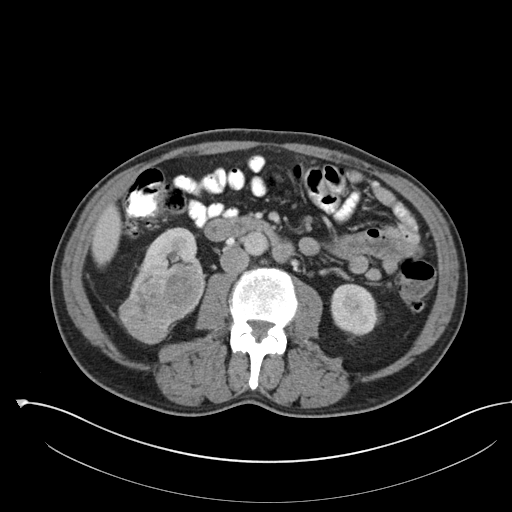
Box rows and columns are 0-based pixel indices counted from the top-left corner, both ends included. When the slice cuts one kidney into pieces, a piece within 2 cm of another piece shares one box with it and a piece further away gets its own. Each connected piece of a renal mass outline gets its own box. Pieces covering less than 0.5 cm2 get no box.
Slice 59/142 of a contrast-enhanced abdominal CT, counting up from the lowest; pixel size 0.855 mm, slice thickness 5.00 mm. Three boxes on this slice (two kidney boxes and one renal mass box), listed by box centre from the image's left to its right. (1) Right renal mass at rows 258–344, columns 118–205 (outlined area 4,828 px, about 35.3 cm2). (2) Box rows 227–271, columns 138–197: right kidney (outlined area 1,751 px, about 12.8 cm2). (3) Box rows 283–335, columns 330–377: left kidney (outlined area 1,999 px, about 14.6 cm2).
Tube voltage 100 kVp; convolution kernel I30f.